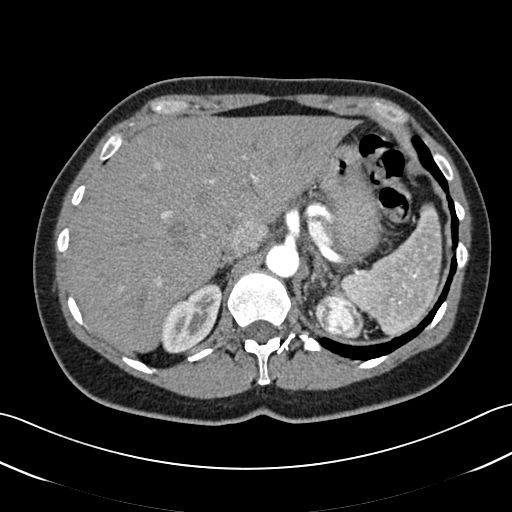
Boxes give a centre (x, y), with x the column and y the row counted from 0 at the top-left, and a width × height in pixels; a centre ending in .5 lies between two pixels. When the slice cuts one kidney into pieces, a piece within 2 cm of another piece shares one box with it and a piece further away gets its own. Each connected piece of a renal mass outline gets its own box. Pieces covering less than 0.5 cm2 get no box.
Arterial-phase contrast-enhanced abdominal CT, axial slice 41 of 52 (counted from the lowest slice); 3.00 mm thick, 0.678 mm per pixel. One kidney box and one renal mass box on this slice; by box centre, from the image's left to its right: (1) Right kidney, box centre (190.5, 318.5), 62 × 70 pixels (outlined area 2,840 px, about 13.0 cm2). (2) Left renal mass, box centre (339, 317), 49 × 47 pixels (outlined area 1,624 px, about 7.5 cm2); here it is more than 1 cm from any kidney outline, though on another slice the same outlined renal mass lies within 1 cm of the kidney.
Scan settings: 120 kVp, B30f reconstruction kernel.